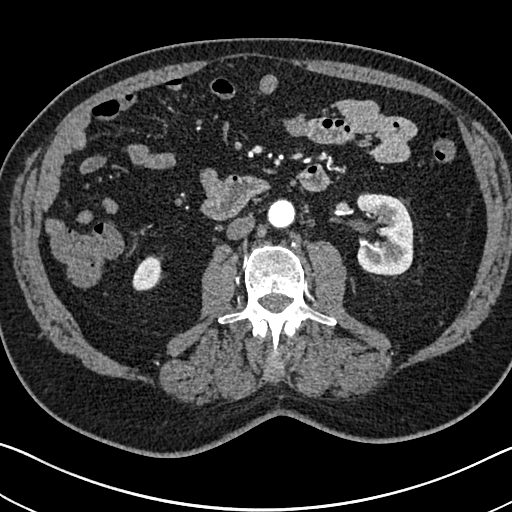
Arterial-phase contrast-enhanced abdominal CT, axial slice 356 of 705 (counted from the lowest slice); tube voltage 120 kVp, convolution kernel I30f; slices 1.00 mm thick, 0.703 mm per pixel.
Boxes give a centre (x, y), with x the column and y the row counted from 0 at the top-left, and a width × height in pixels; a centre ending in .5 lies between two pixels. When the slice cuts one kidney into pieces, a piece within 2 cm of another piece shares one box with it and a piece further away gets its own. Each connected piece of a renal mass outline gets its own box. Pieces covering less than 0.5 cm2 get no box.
Two kidney boxes on this slice; by box centre, from the image's left to its right: (1) Box centre (146, 273), 29 × 37 pixels: right kidney (outlined area 766 px, about 3.8 cm2). (2) Left kidney, box centre (384.5, 234), 58 × 85 pixels (outlined area 3,936 px, about 19.5 cm2). No renal mass is outlined on this slice.